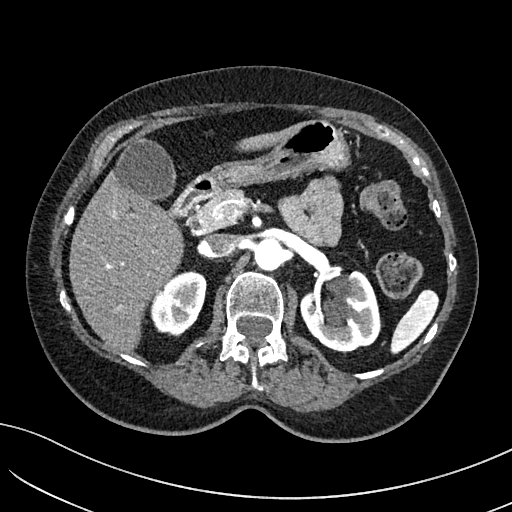
Arterial-phase contrast-enhanced abdominal CT, axial slice 90 of 234 (counted from the lowest slice); tube voltage 100 kVp, convolution kernel I40f; slices 2.00 mm thick, 0.699 mm per pixel.
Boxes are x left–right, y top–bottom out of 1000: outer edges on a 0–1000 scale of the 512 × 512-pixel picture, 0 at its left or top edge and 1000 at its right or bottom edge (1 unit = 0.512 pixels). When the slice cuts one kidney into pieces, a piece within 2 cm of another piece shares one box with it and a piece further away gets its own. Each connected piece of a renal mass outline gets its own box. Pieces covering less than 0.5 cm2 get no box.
Two boxes on this slice (two kidney boxes), listed by box centre from the image's left to its right. (1) Right kidney at x 293–404, y 527–658 out of 1000 (outlined area 2,716 px, about 13.3 cm2). (2) Left kidney at x 586–746, y 525–688 out of 1000 (outlined area 4,766 px, about 23.3 cm2). No renal mass is outlined on this slice.